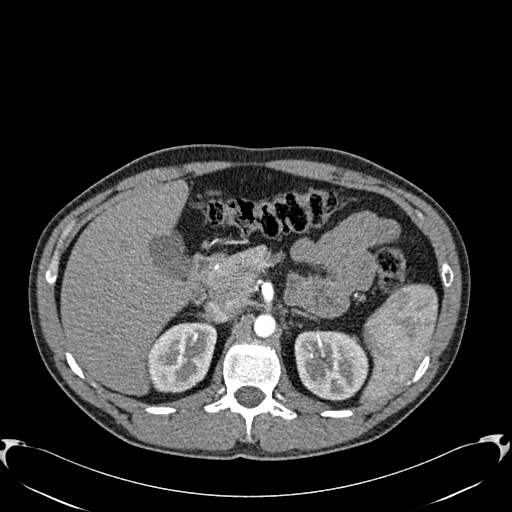
Arterial-phase contrast-enhanced abdominal CT, axial slice 409 of 512 (counted from the lowest slice); tube voltage 120 kVp, convolution kernel B30f; slices 1.00 mm thick, 0.771 mm per pixel.
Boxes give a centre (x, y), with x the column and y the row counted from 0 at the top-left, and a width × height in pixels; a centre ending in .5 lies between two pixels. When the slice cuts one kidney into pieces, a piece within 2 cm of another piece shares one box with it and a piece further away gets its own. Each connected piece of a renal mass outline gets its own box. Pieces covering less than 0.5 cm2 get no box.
Boxed on this slice (two kidney boxes), listed by box centre from the image's left to its right: (1) Right kidney in a box with centre (181.5, 356.5), 70 × 74 pixels (outlined area 3,877 px, about 23.1 cm2). (2) Box centre (331, 364.5), 75 × 72 pixels: left kidney (outlined area 4,248 px, about 25.3 cm2). This slice carries no renal mass outline.